Axial slice 220 of 527 of a contrast-enhanced abdominal CT in the arterial phase (slice 1 is the lowest), 120 kVp, kernel I30f; 1.00 mm slice thickness and 0.859 mm pixels.
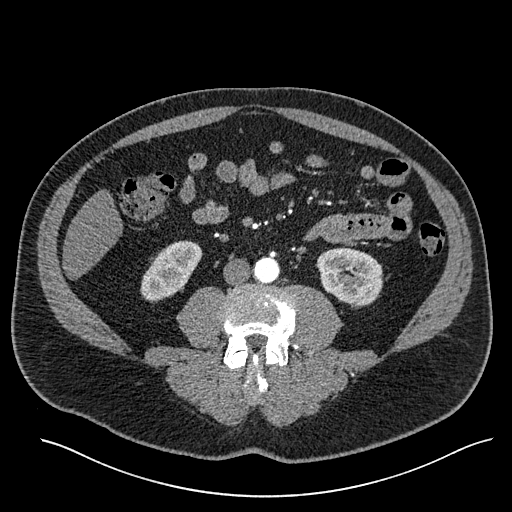
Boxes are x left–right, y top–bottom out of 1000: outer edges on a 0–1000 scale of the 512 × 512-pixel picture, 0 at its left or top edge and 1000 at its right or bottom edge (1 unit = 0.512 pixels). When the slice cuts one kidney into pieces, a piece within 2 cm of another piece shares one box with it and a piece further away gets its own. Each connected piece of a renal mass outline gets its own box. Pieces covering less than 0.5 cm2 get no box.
Two kidney boxes on this slice; by box centre, from the image's left to its right: (1) Box x 273–396, y 469–592 out of 1000: right kidney (outlined area 2,440 px, about 18.0 cm2). (2) Left kidney at x 617–750, y 482–604 out of 1000 (outlined area 3,088 px, about 22.8 cm2). No renal mass is outlined on this slice.